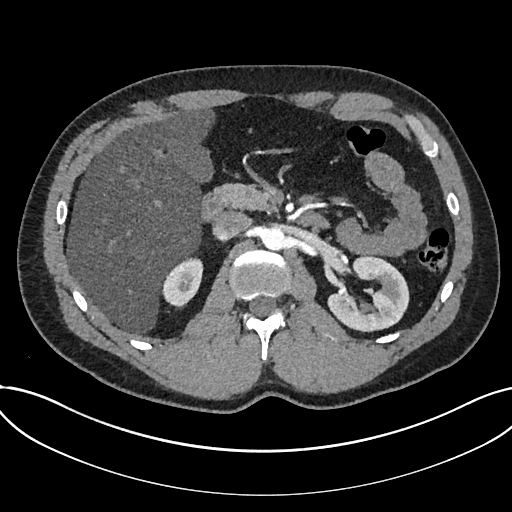
Arterial-phase contrast-enhanced abdominal CT, axial slice 458 of 735 (counted from the lowest slice); tube voltage 120 kVp, convolution kernel I30f; slices 1.00 mm thick, 0.789 mm per pixel.
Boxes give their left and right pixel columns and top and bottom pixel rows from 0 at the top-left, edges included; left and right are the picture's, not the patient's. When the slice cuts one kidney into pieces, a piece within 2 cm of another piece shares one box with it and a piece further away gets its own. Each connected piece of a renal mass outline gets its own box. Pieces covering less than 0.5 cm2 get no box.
Boxed on this slice (two kidney boxes), listed by box centre from the image's left to its right: (1) Kidney in the box with left 161, top 257, right 203, bottom 308 (outlined area 1,506 px, about 9.4 cm2). (2) Box with left 327, top 255, right 409, bottom 332: kidney (outlined area 4,157 px, about 25.9 cm2). No renal mass outline on this slice.